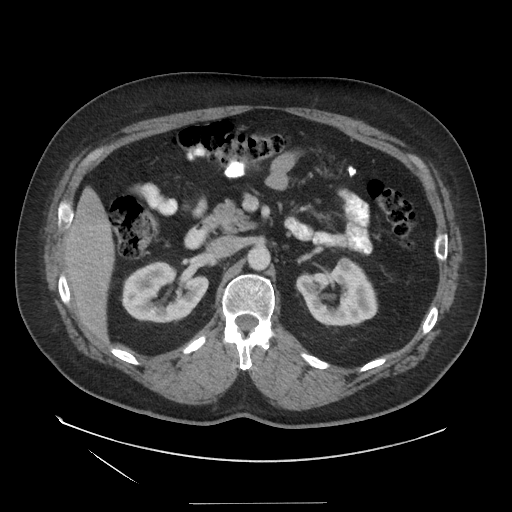
Axial slice 86 of 129 of a contrast-enhanced abdominal CT in the arterial phase (slice 1 is the lowest), 140 kVp, kernel STANDARD; 3.75 mm slice thickness and 0.938 mm pixels.
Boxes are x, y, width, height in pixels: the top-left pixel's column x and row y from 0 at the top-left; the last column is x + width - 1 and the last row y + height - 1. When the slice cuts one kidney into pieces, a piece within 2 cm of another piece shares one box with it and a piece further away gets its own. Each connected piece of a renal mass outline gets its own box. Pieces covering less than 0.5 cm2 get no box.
Three boxes on this slice (two kidney boxes and one renal mass box), listed by box centre from the image's left to its right. (1) Right kidney at x 121, y 261, width 88, height 63 (outlined area 4,007 px, about 35.2 cm2). (2) Box x 296, y 261, width 83, height 66: left kidney (outlined area 3,619 px, about 31.8 cm2). (3) Left renal mass at x 337, y 257, width 16, height 15 (outlined area 185 px, about 1.6 cm2).